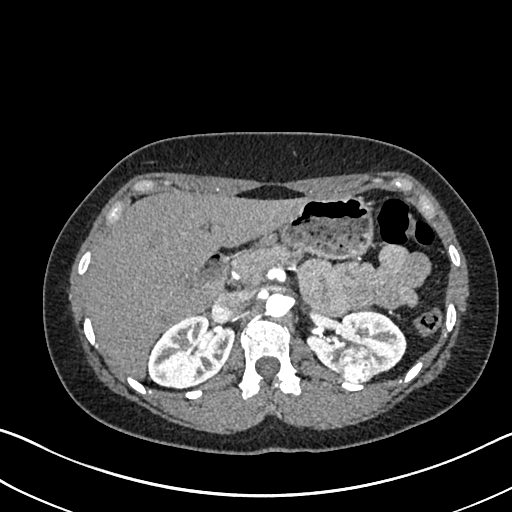
One axial slice (469 of 612, counting up from the lowest) of an arterial-phase abdominal CT acquired with 120 kVp, kernel I30f; each pixel is 0.703 mm and the slice is 1.00 mm thick.
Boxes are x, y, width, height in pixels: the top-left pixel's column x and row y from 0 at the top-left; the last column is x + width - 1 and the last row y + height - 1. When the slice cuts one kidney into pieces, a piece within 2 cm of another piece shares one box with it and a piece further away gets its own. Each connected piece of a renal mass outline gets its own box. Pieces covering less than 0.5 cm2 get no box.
Boxed on this slice (two kidney boxes and one renal mass box), listed by box centre from the image's left to its right: (1) Right kidney, box x 147, y 315, width 88, height 75 (outlined area 4,652 px, about 23.0 cm2). (2) Left renal mass at x 337, y 349, width 36, height 33 (outlined area 930 px, about 4.6 cm2). (3) Box x 307, y 310, width 100, height 69: left kidney (outlined area 4,097 px, about 20.3 cm2).